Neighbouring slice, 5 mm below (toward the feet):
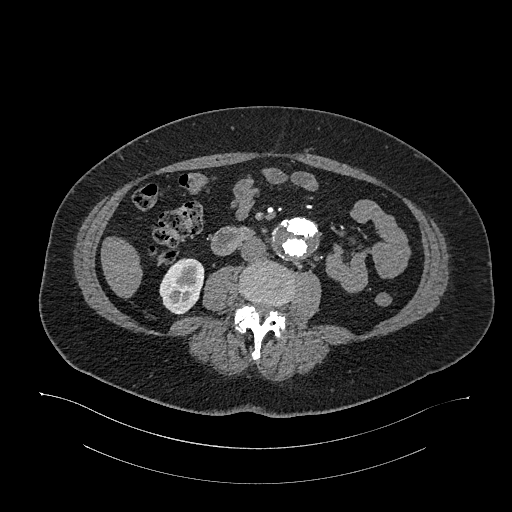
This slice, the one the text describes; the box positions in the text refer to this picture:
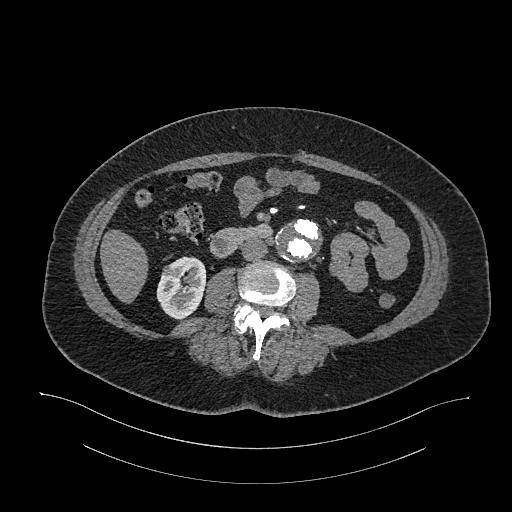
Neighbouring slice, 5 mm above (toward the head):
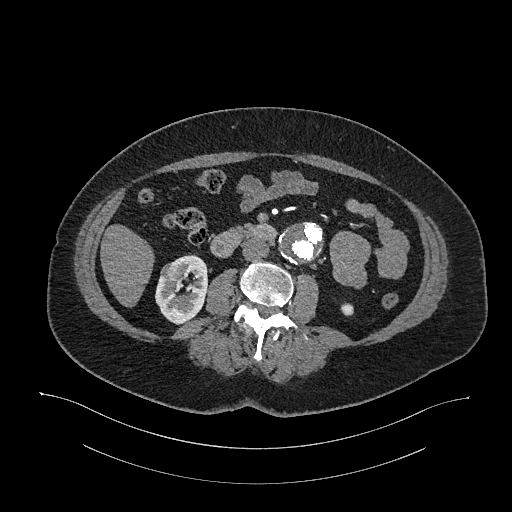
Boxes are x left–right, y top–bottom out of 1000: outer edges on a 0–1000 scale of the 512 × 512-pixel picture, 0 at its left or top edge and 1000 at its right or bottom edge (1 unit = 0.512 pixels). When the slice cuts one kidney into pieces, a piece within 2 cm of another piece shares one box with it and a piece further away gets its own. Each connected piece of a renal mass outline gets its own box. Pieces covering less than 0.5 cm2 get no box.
This is axial slice 567 of 987 (slice 1 is the lowest) of an arterial-phase abdominal CT with contrast; each pixel is 0.977 mm and the slice is 1.00 mm thick. Boxed on this slice (one kidney box and one renal mass box), listed by box centre from the image's left to its right: (1) Right renal mass at x 314–348, y 516–541 out of 1000 (outlined area 133 px, about 1.3 cm2). (2) Box x 305–404, y 500–627 out of 1000: right kidney (outlined area 2,295 px, about 21.9 cm2). This slice is near the end of the right renal mass toward the feet, so the slices 5 mm below and 5 mm above it are shown as well; the boxes refer to this slice only.
Scan settings: 120 kVp, I26f reconstruction kernel.